Axial slice 3 of 38 of a contrast-enhanced abdominal CT (slice 1 is the lowest), 100 kVp, kernel I30f; 5.00 mm slice thickness and 0.730 mm pixels.
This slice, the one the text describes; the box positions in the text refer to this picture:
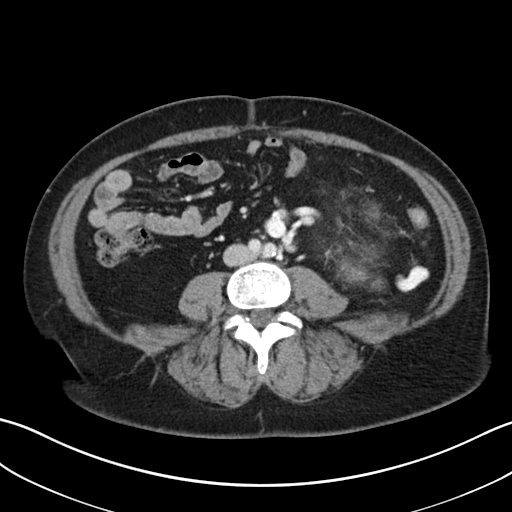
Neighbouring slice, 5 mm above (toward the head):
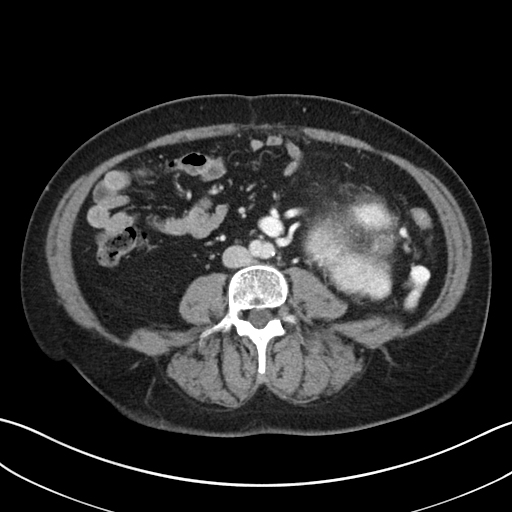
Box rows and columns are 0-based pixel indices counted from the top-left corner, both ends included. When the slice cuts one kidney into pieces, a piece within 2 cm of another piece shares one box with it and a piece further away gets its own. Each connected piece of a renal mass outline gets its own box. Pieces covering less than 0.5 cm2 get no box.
Four boxes on this slice (four renal mass boxes), listed by box centre from the image's left to its right. (1) Left renal mass at rows 259–282, columns 338–367 (outlined area 465 px, about 2.5 cm2); no kidney outline appears on this slice, but the same outlined renal mass comes within 1 cm of the kidney on another slice. (2) Box rows 242–261, columns 350–377: left renal mass (outlined area 321 px, about 1.7 cm2); no kidney is outlined on this slice, but the same outlined renal mass comes within 1 cm of the kidney on another slice. (3) Left renal mass, box rows 203–218, columns 365–379 (outlined area 169 px, about 0.9 cm2); no kidney is outlined on this slice, but the same outlined renal mass comes within 1 cm of the kidney on another slice. (4) Box rows 278–290, columns 370–384: left renal mass (outlined area 134 px, about 0.7 cm2); this slice has no kidney outline, though on another slice the same outlined renal mass lies within 1 cm of the kidney. This slice lies near the end of the left renal mass toward the feet; the slice 5 mm above it is shown too, and the boxes mark positions on this slice only.